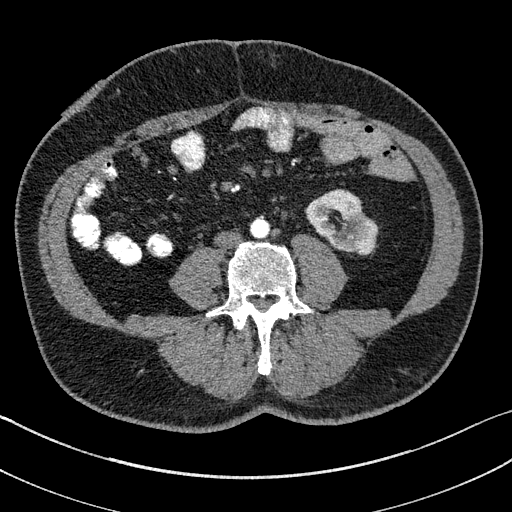
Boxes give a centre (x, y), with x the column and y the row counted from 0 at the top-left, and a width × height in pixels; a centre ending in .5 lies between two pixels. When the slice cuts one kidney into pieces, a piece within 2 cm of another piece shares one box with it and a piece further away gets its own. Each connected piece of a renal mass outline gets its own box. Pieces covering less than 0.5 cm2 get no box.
Arterial-phase contrast-enhanced abdominal CT, axial slice 42 of 195 (counted from the lowest slice); 1.50 mm thick, 0.707 mm per pixel. Left kidney in a box with centre (341.5, 221.5), 72 × 66 pixels (outlined area 3,017 px, about 15.1 cm2). No renal mass outline on this slice.
Tube voltage 100 kVp; convolution kernel I31f.